Abdominal CT with intravenous contrast, arterial phase, axial plane, 120 kVp, kernel I30f. Slice 307/541 from the bottom of the scan; thickness 1.00 mm; pixel size 0.834 mm.
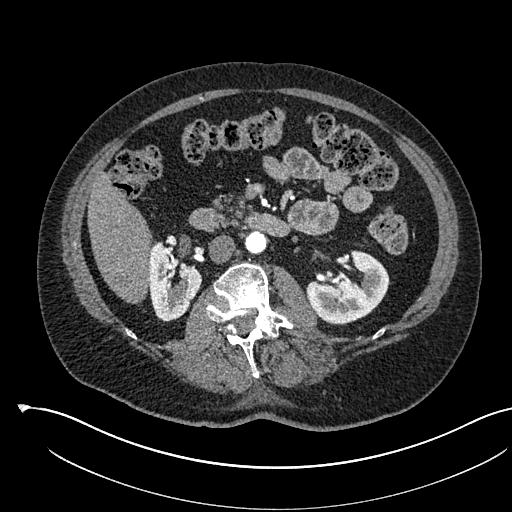
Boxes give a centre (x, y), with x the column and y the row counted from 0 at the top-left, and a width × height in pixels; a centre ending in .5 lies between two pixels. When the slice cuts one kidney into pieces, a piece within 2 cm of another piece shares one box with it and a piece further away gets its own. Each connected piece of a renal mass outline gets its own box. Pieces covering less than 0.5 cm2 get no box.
Boxed on this slice (two kidney boxes), listed by box centre from the image's left to its right: (1) Box centre (175, 281), 55 × 81 pixels: right kidney (outlined area 2,977 px, about 20.7 cm2). (2) Left kidney, box centre (348, 286.5), 85 × 76 pixels (outlined area 4,127 px, about 28.7 cm2). This slice carries no renal mass outline.